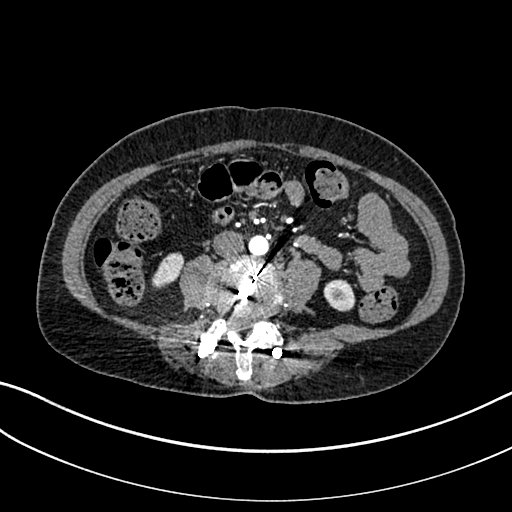
Arterial-phase contrast-enhanced abdominal CT, axial slice 57 of 325 (counted from the lowest slice); tube voltage 100 kVp, convolution kernel I30f; slices 1.00 mm thick, 0.703 mm per pixel.
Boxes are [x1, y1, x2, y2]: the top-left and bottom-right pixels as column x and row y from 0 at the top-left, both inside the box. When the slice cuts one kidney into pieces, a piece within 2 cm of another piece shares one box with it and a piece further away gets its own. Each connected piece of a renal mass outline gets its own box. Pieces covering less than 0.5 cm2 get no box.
Two kidney boxes on this slice; by box centre, from the image's left to its right: (1) Right kidney at [151, 252, 185, 288] (outlined area 788 px, about 3.9 cm2). (2) Left kidney at [323, 279, 355, 311] (outlined area 810 px, about 4.0 cm2). This slice carries no renal mass outline.